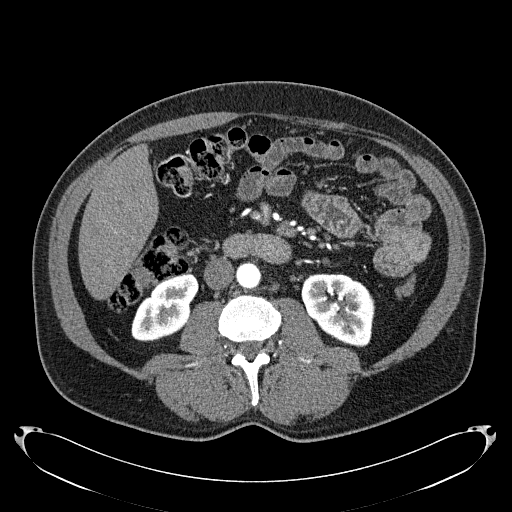
Axial slice 94 of 279 of a contrast-enhanced abdominal CT in the arterial phase (slice 1 is the lowest), 120 kVp, kernel B31f; 2.00 mm slice thickness and 0.824 mm pixels.
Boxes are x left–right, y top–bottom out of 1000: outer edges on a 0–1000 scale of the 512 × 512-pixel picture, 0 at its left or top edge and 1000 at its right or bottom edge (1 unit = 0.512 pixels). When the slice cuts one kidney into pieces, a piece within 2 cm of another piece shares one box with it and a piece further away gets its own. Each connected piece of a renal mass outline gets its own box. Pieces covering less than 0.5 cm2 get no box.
Two boxes on this slice (two kidney boxes), listed by box centre from the image's left to its right. (1) Right kidney at x 256–389, y 533–668 out of 1000 (outlined area 3,040 px, about 20.7 cm2). (2) Box x 588–730, y 533–680 out of 1000: left kidney (outlined area 4,083 px, about 27.7 cm2). No renal mass outline on this slice.